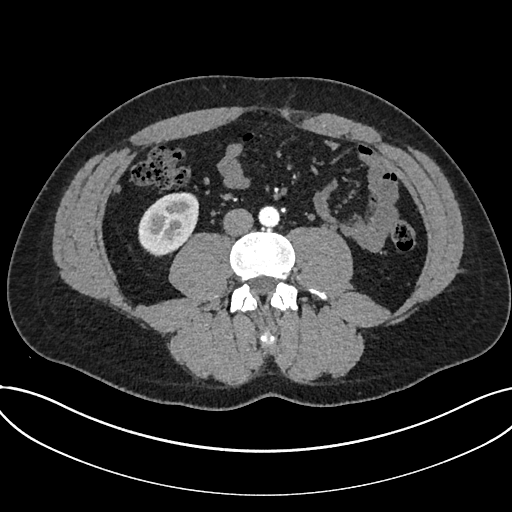
Arterial-phase contrast-enhanced abdominal CT, axial slice 294 of 735 (counted from the lowest slice); tube voltage 120 kVp, convolution kernel I30f; slices 1.00 mm thick, 0.789 mm per pixel.
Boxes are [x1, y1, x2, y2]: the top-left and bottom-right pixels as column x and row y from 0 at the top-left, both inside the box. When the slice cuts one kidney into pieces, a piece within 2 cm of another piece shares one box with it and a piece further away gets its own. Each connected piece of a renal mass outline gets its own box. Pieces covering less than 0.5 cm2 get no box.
Kidney at [138, 192, 198, 256] (outlined area 2,925 px, about 18.2 cm2). No renal mass is outlined on this slice.